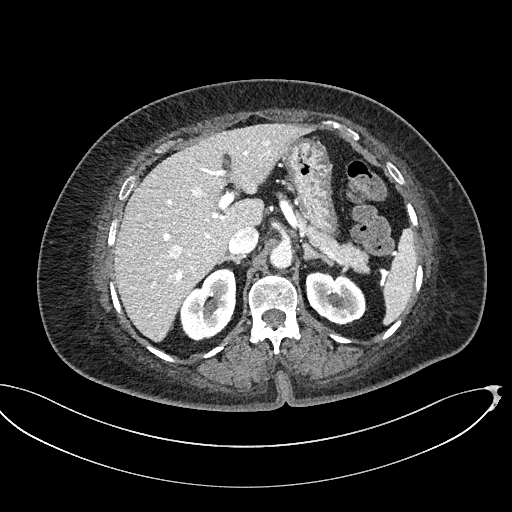
Axial slice 345 of 439 of a contrast-enhanced abdominal CT (slice 1 is the lowest), 100 kVp, kernel I40f; 2.00 mm slice thickness and 0.850 mm pixels.
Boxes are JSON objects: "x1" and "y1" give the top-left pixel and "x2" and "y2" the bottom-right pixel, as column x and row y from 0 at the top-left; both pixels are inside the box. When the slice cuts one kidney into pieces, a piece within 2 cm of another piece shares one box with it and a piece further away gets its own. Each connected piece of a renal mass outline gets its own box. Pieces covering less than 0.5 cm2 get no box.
Two boxes on this slice (two kidney boxes), listed by box centre from the image's left to its right. (1) Box {"x1": 180, "y1": 268, "x2": 236, "y2": 341}: right kidney (outlined area 2,966 px, about 21.4 cm2). (2) Left kidney at {"x1": 305, "y1": 272, "x2": 366, "y2": 325} (outlined area 2,456 px, about 17.7 cm2). No renal mass outline on this slice.